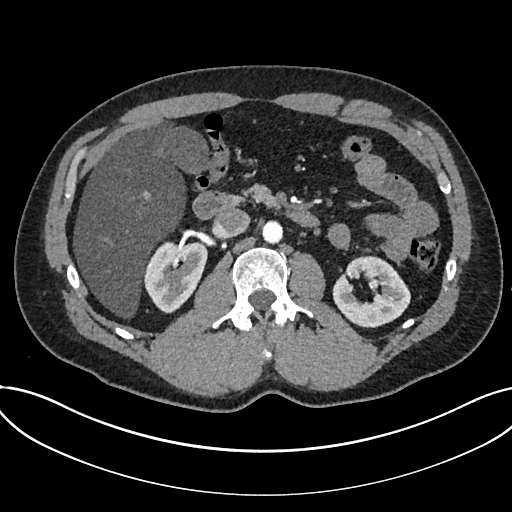
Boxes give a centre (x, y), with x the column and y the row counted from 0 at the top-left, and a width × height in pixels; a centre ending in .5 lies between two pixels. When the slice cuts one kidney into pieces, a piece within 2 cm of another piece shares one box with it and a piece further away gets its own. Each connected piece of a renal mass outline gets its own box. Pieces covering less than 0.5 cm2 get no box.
Arterial-phase contrast-enhanced abdominal CT, axial slice 426 of 735 (counted from the lowest slice); 1.00 mm thick, 0.789 mm per pixel. Boxed on this slice (two kidney boxes), listed by box centre from the image's left to its right: (1) Kidney, box centre (175.5, 276.5), 64 × 74 pixels (outlined area 3,381 px, about 21.1 cm2). (2) Kidney, box centre (371, 291.5), 79 × 72 pixels (outlined area 3,814 px, about 23.7 cm2). No renal mass is outlined on this slice.
Scan settings: 120 kVp, I30f reconstruction kernel.